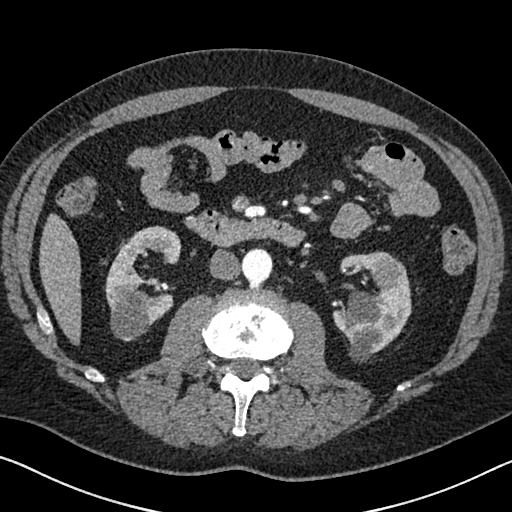
Arterial-phase contrast-enhanced abdominal CT, axial slice 351 of 626 (counted from the lowest slice); tube voltage 120 kVp, convolution kernel I30f; slices 1.00 mm thick, 0.703 mm per pixel.
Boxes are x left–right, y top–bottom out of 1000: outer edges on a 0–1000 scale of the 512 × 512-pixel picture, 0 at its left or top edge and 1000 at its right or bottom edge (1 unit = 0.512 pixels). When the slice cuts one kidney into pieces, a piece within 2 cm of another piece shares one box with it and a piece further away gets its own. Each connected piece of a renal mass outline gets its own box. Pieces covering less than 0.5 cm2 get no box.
Three boxes on this slice (two kidney boxes and one renal mass box), listed by box centre from the image's left to its right. (1) Box x 205–357, y 439–666 out of 1000: right kidney (outlined area 5,323 px, about 26.3 cm2). (2) Left kidney, box x 648–805, y 490–709 out of 1000 (outlined area 5,235 px, about 25.9 cm2). (3) Left renal mass, box x 727–779, y 500–566 out of 1000 (outlined area 694 px, about 3.4 cm2).